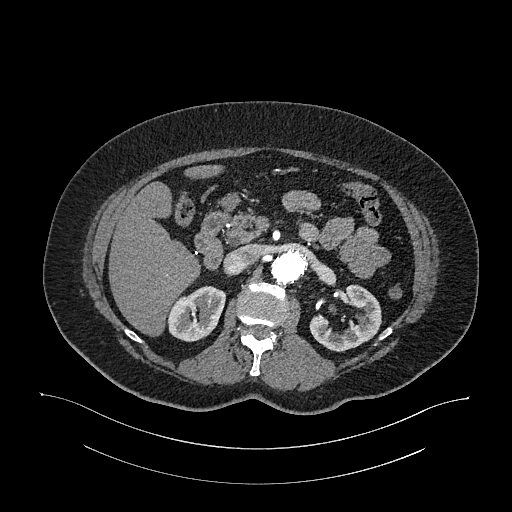
Arterial-phase contrast-enhanced abdominal CT, axial slice 693 of 987 (counted from the lowest slice); tube voltage 120 kVp, convolution kernel I26f; slices 1.00 mm thick, 0.977 mm per pixel.
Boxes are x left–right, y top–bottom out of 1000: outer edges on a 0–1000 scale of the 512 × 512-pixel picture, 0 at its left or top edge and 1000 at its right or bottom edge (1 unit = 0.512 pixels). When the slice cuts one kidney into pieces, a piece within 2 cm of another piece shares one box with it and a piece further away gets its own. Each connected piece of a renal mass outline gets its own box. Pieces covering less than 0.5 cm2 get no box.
Two boxes on this slice (two kidney boxes), listed by box centre from the image's left to its right. (1) Box x 326–441, y 559–668 out of 1000: right kidney (outlined area 2,409 px, about 23.0 cm2). (2) Left kidney, box x 604–746, y 555–688 out of 1000 (outlined area 2,712 px, about 25.9 cm2). This slice carries no renal mass outline.